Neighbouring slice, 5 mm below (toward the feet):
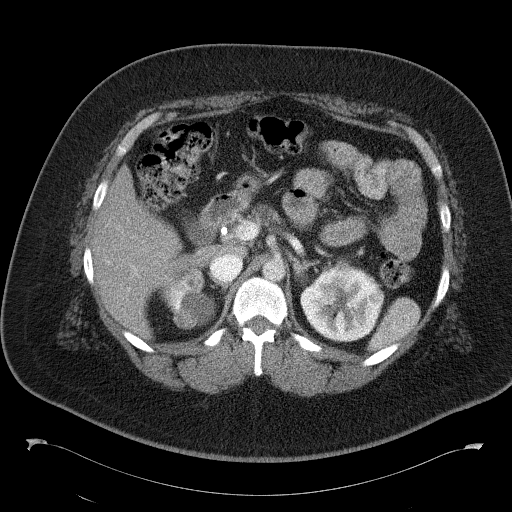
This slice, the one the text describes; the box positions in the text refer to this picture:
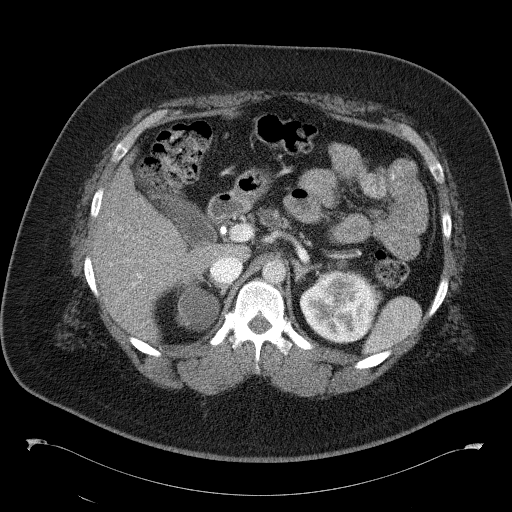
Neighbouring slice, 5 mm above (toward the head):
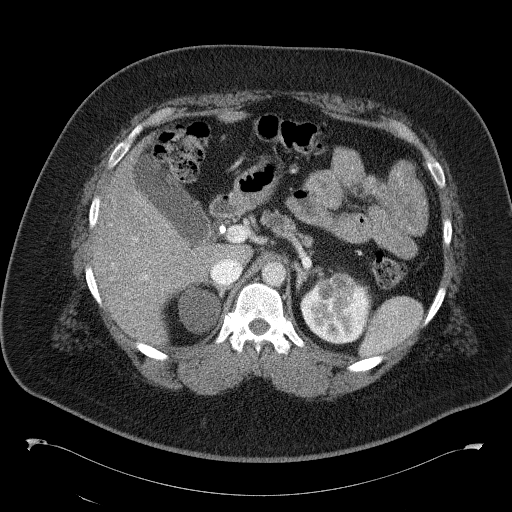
Axial slice 87 of 146 of a contrast-enhanced abdominal CT (slice 1 is the lowest), 120 kVp, kernel B41f; 5.00 mm slice thickness and 0.840 mm pixels.
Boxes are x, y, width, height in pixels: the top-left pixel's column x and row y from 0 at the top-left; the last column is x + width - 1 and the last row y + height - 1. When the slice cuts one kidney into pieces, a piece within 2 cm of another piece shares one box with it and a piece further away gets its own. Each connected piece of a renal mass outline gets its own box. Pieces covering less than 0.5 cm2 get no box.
Three boxes on this slice (two kidney boxes and one renal mass box), listed by box centre from the image's left to its right. (1) Renal mass at x 176, y 314, width 13, height 12 (outlined area 117 px, about 0.8 cm2). (2) Kidney at x 177, y 286, width 42, height 46 (outlined area 1,333 px, about 9.4 cm2). (3) Kidney, box x 300, y 271, width 82, height 71 (outlined area 4,290 px, about 30.3 cm2). This slice is near the end of a renal mass toward the head, so the slices 5 mm below and 5 mm above it are shown as well; the boxes refer to this slice only.